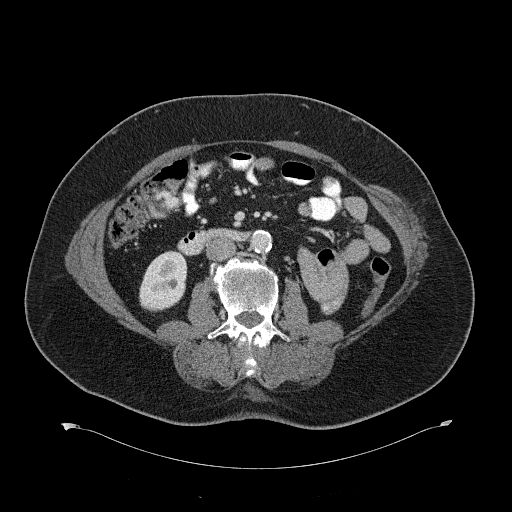
Contrast-enhanced abdominal CT, axial slice 322 of 734 (counted from the lowest slice); tube voltage 120 kVp, convolution kernel B31f; slices 2.00 mm thick, 0.971 mm per pixel.
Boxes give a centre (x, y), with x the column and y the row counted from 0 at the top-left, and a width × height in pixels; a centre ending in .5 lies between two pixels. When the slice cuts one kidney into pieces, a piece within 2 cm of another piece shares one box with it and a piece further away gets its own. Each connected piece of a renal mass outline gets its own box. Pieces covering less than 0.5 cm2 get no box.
Right kidney, box centre (163, 280.5), 49 × 60 pixels (outlined area 2,257 px, about 21.3 cm2). No renal mass outline on this slice.